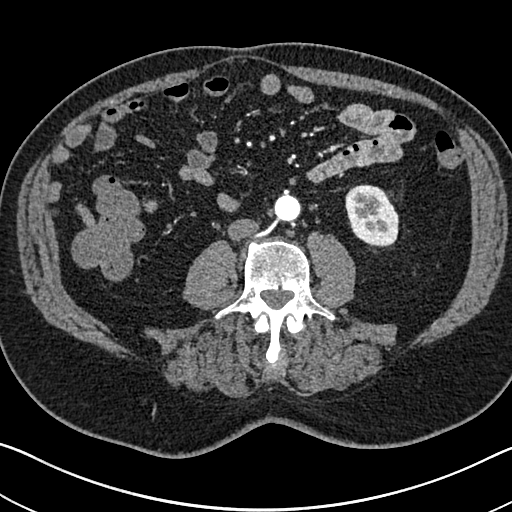
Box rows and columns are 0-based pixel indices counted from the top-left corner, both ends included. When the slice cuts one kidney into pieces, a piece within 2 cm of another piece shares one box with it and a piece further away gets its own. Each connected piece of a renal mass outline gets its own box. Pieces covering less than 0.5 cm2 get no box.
Slice 297/705 of a contrast-enhanced abdominal CT in the arterial phase, counting up from the lowest; pixel size 0.703 mm, slice thickness 1.00 mm. Left kidney at rows 184–246, columns 345–399 (outlined area 2,647 px, about 13.1 cm2). No renal mass is outlined on this slice.
Acquired at 120 kVp and reconstructed with the I30f kernel.